Arterial-phase contrast-enhanced abdominal CT, axial slice 390 of 512 (counted from the lowest slice); tube voltage 120 kVp, convolution kernel B30f; slices 1.00 mm thick, 0.771 mm per pixel.
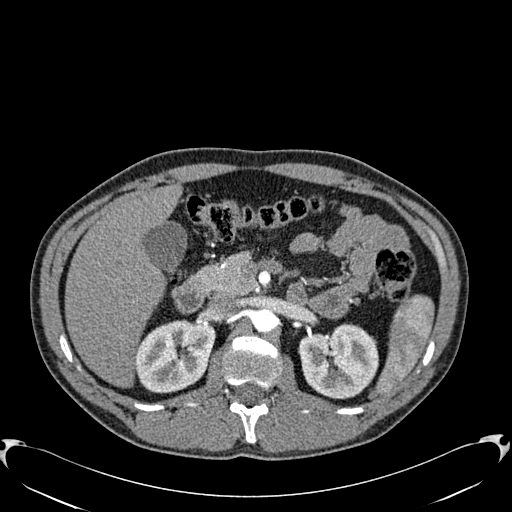
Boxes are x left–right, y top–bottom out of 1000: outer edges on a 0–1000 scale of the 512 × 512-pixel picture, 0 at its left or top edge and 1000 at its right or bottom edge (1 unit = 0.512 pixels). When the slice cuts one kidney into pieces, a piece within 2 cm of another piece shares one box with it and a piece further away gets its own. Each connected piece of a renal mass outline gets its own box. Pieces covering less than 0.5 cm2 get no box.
Two boxes on this slice (two kidney boxes), listed by box centre from the image's left to its right. (1) Box x 264–422, y 623–770 out of 1000: right kidney (outlined area 4,542 px, about 27.0 cm2). (2) Box x 582–740, y 631–781 out of 1000: left kidney (outlined area 4,697 px, about 28.0 cm2). No renal mass is outlined on this slice.